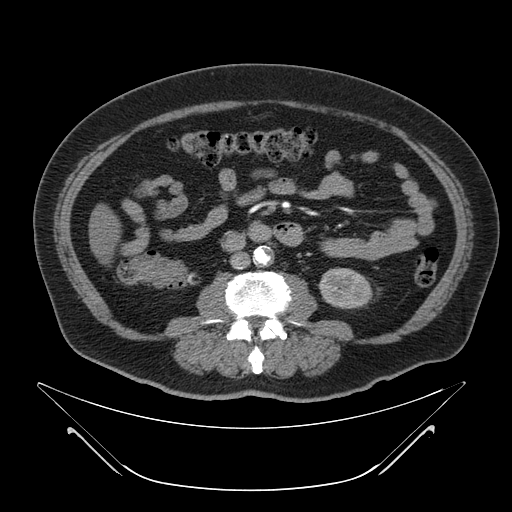
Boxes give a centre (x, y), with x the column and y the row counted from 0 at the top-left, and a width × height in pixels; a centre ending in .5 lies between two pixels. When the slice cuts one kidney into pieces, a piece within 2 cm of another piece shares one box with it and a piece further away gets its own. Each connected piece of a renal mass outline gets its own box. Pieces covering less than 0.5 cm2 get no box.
Slice 17/64 of a contrast-enhanced abdominal CT, counting up from the lowest; pixel size 0.977 mm, slice thickness 4.00 mm. Left kidney, box centre (345, 287.5), 55 × 42 pixels (outlined area 1,768 px, about 16.9 cm2). No renal mass outline on this slice.
Tube voltage 120 kVp; convolution kernel B.